Abdominal CT with intravenous contrast, arterial phase, axial plane, 120 kVp, kernel STANDARD. Slice 119/186 from the bottom of the scan; thickness 2.50 mm; pixel size 0.742 mm.
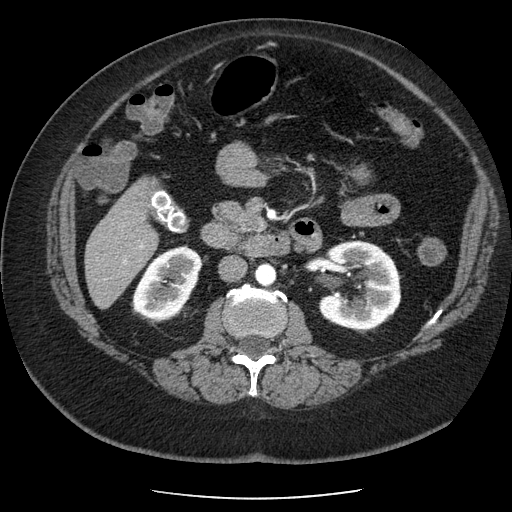
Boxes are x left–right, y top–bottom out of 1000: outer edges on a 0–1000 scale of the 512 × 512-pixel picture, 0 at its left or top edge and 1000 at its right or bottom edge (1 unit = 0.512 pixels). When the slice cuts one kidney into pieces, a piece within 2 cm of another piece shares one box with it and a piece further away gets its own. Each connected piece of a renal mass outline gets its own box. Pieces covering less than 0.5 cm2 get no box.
Two boxes on this slice (two kidney boxes), listed by box centre from the image's left to its right. (1) Right kidney, box x 256–395, y 480–629 out of 1000 (outlined area 3,671 px, about 20.2 cm2). (2) Left kidney, box x 619–785, y 469–645 out of 1000 (outlined area 5,788 px, about 31.9 cm2). No renal mass outline on this slice.